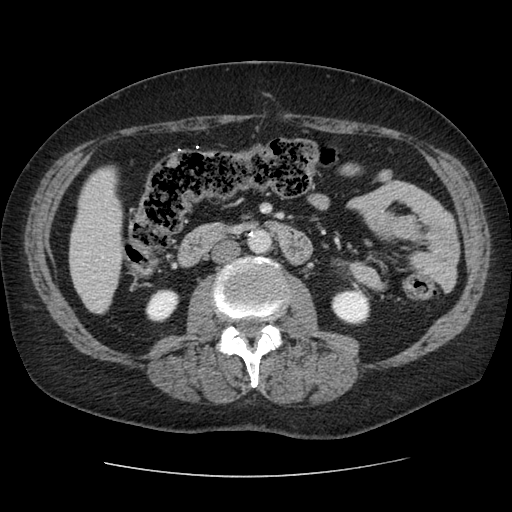
Arterial-phase contrast-enhanced abdominal CT, axial slice 33 of 96 (counted from the lowest slice); tube voltage 120 kVp, convolution kernel STANDARD; slices 2.50 mm thick, 0.689 mm per pixel.
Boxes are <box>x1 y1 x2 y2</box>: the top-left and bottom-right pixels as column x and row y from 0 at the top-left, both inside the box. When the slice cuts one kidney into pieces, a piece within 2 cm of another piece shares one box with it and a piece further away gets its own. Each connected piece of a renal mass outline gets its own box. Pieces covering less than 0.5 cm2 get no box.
Two boxes on this slice (two kidney boxes), listed by box centre from the image's left to its right. (1) At <box>145 289 179 322</box>: right kidney (outlined area 861 px, about 4.1 cm2). (2) At <box>331 289 370 325</box>: left kidney (outlined area 1,128 px, about 5.4 cm2). This slice carries no renal mass outline.